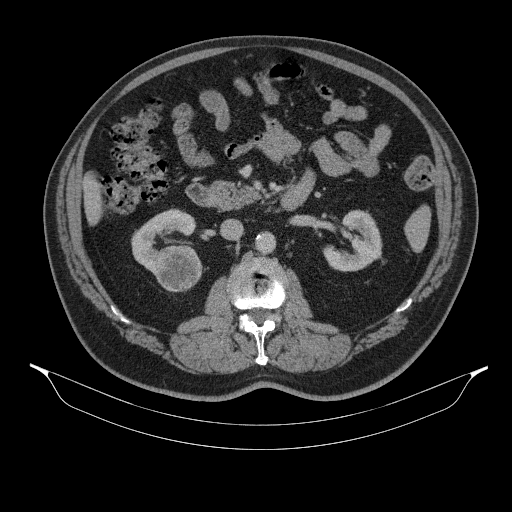
Abdominal CT with intravenous contrast, axial plane, 130 kVp, kernel B31s. Slice 197/314 from the bottom of the scan; thickness 2.50 mm; pixel size 0.934 mm.
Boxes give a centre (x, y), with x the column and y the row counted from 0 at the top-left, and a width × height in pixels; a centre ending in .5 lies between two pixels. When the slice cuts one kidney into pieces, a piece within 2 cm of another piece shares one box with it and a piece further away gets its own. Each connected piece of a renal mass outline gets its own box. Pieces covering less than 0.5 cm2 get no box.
Boxed on this slice (two kidney boxes and one renal mass box), listed by box centre from the image's left to its right: (1) Right kidney, box centre (163.5, 240.5), 66 × 66 pixels (outlined area 2,148 px, about 18.7 cm2). (2) Right renal mass in a box with centre (178, 268.5), 49 × 48 pixels (outlined area 1,839 px, about 16.0 cm2). (3) Left kidney, box centre (352.5, 240.5), 60 × 62 pixels (outlined area 2,380 px, about 20.7 cm2).